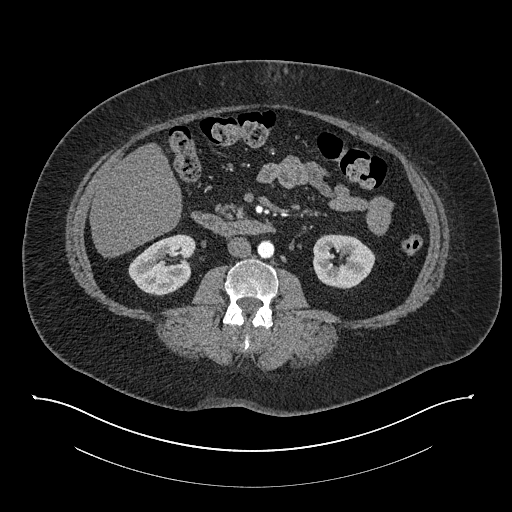
Axial slice 410 of 673 of a contrast-enhanced abdominal CT in the arterial phase (slice 1 is the lowest), 140 kVp, kernel I30f; 1.00 mm slice thickness and 0.957 mm pixels.
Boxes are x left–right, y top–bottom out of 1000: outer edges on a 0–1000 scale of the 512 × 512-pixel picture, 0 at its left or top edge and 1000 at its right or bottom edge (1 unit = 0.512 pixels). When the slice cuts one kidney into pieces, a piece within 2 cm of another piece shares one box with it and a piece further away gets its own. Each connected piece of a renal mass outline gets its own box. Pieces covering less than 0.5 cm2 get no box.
Two boxes on this slice (two kidney boxes), listed by box centre from the image's left to its right. (1) Box x 250–385, y 457–578 out of 1000: right kidney (outlined area 2,972 px, about 27.2 cm2). (2) Left kidney at x 609–734, y 457–564 out of 1000 (outlined area 2,656 px, about 24.3 cm2). No renal mass outline on this slice.